Axial slice 409 of 581 of a contrast-enhanced abdominal CT in the arterial phase (slice 1 is the lowest), 120 kVp, kernel B30f; 1.00 mm slice thickness and 0.713 mm pixels.
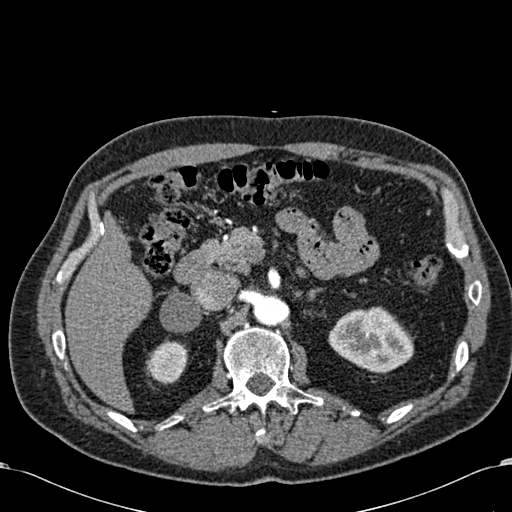
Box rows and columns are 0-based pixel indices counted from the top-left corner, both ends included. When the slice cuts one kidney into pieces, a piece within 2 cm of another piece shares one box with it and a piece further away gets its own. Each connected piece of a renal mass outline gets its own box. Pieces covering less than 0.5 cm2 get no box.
Two boxes on this slice (two kidney boxes), listed by box centre from the image's left to its right. (1) Right kidney, box rows 340–384, columns 146–188 (outlined area 1,403 px, about 7.1 cm2). (2) Box rows 306–373, columns 328–413: left kidney (outlined area 4,101 px, about 20.8 cm2). No renal mass is outlined on this slice.